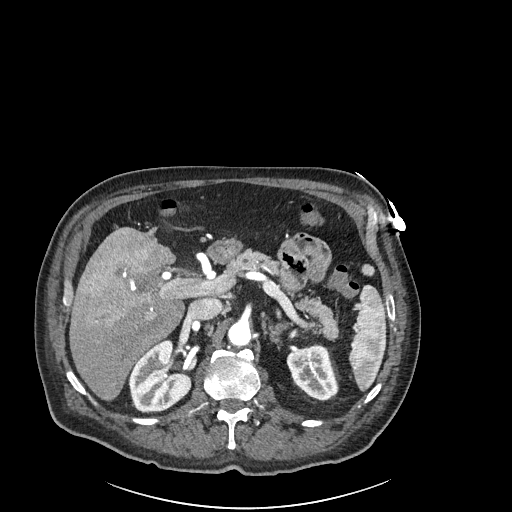
One axial slice (146 of 261, counting up from the lowest) of an arterial-phase abdominal CT acquired with 120 kVp, kernel I30f; each pixel is 0.939 mm and the slice is 2.00 mm thick.
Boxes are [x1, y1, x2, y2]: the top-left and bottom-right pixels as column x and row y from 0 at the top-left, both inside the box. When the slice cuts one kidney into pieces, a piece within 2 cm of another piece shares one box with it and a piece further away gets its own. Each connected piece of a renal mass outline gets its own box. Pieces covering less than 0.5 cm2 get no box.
Boxed on this slice (two kidney boxes), listed by box centre from the image's left to its right: (1) Right kidney, box [128, 339, 192, 413] (outlined area 3,324 px, about 29.3 cm2). (2) Left kidney, box [286, 345, 338, 400] (outlined area 2,028 px, about 17.9 cm2). No renal mass outline on this slice.